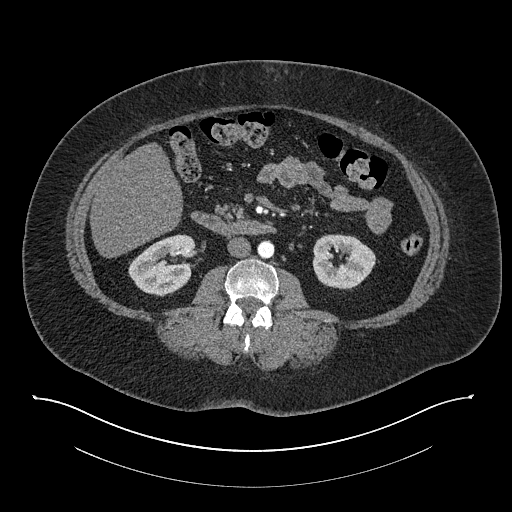
Abdominal CT with intravenous contrast, arterial phase, axial plane, 140 kVp, kernel I30f. Slice 412/673 from the bottom of the scan; thickness 1.00 mm; pixel size 0.957 mm.
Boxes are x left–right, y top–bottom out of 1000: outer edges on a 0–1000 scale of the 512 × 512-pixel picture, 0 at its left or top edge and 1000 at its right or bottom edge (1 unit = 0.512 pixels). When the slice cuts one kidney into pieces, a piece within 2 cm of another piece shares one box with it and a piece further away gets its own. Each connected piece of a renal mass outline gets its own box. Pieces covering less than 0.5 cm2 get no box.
Two boxes on this slice (two kidney boxes), listed by box centre from the image's left to its right. (1) Box x 250–383, y 457–580 out of 1000: right kidney (outlined area 2,971 px, about 27.2 cm2). (2) Left kidney at x 609–734, y 457–566 out of 1000 (outlined area 2,704 px, about 24.8 cm2). This slice carries no renal mass outline.